Axial slice 269 of 527 of a contrast-enhanced abdominal CT in the arterial phase (slice 1 is the lowest), 120 kVp, kernel I30f; 1.00 mm slice thickness and 0.859 mm pixels.
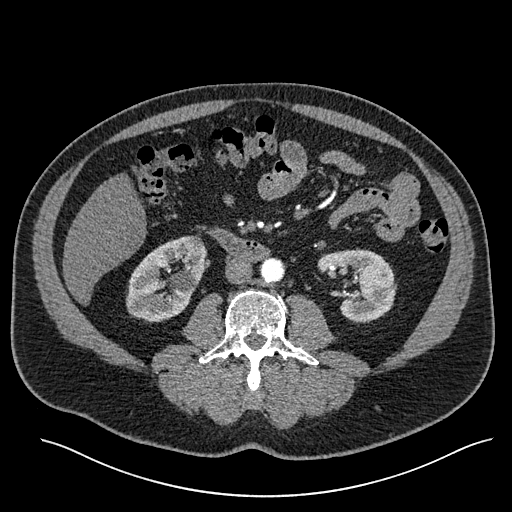
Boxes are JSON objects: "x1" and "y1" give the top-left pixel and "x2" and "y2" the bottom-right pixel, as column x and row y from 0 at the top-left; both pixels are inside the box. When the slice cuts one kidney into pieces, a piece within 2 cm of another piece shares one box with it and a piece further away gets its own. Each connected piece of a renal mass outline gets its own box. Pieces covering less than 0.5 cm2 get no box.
Boxed on this slice (two kidney boxes), listed by box centre from the image's left to its right: (1) Right kidney at {"x1": 126, "y1": 236, "x2": 206, "y2": 321} (outlined area 4,711 px, about 34.8 cm2). (2) Left kidney at {"x1": 317, "y1": 248, "x2": 396, "y2": 322} (outlined area 3,930 px, about 29.0 cm2). No renal mass is outlined on this slice.